Axial slice 155 of 279 of a contrast-enhanced abdominal CT in the arterial phase (slice 1 is the lowest), 120 kVp, kernel B31f; 2.00 mm slice thickness and 0.824 mm pixels.
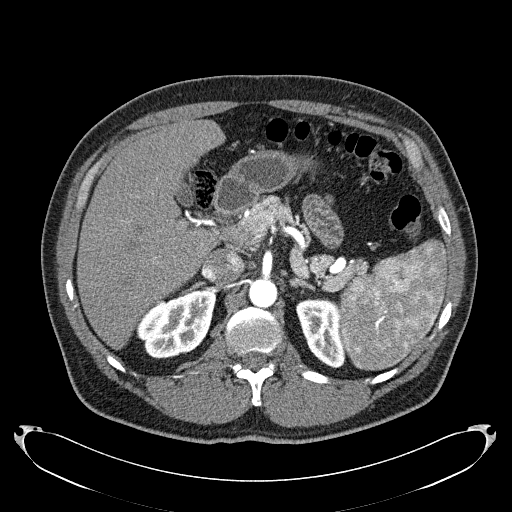
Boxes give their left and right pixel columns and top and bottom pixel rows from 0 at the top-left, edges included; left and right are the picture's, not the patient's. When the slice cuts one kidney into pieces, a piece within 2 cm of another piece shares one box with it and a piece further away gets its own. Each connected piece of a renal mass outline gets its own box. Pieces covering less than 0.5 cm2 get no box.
Two kidney boxes on this slice; by box centre, from the image's left to its right: (1) Box with left 137, top 290, right 215, bottom 358: right kidney (outlined area 3,849 px, about 26.1 cm2). (2) Left kidney in the box with left 296, top 298, right 345, bottom 368 (outlined area 2,451 px, about 16.7 cm2). No renal mass outline on this slice.